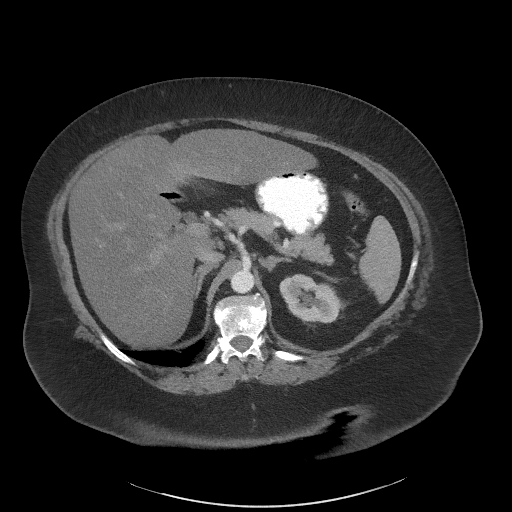
Axial slice 49 of 61 of a contrast-enhanced abdominal CT in the arterial phase (slice 1 is the lowest), 140 kVp, kernel I41f; 3.00 mm slice thickness and 0.947 mm pixels.
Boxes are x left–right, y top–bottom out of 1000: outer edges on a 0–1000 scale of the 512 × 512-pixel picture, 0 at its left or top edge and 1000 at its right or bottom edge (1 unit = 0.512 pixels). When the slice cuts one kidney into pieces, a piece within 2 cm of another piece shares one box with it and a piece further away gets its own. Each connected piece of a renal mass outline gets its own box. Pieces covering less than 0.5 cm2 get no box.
Box x 545–666, y 533–633 out of 1000: left kidney (outlined area 2,293 px, about 20.6 cm2). No renal mass is outlined on this slice.